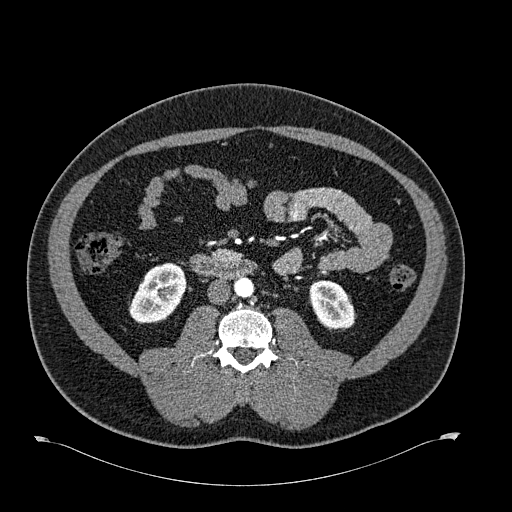
One axial slice (296 of 723, counting up from the lowest) of an arterial-phase abdominal CT acquired with 120 kVp, kernel B30f; each pixel is 0.895 mm and the slice is 1.00 mm thick.
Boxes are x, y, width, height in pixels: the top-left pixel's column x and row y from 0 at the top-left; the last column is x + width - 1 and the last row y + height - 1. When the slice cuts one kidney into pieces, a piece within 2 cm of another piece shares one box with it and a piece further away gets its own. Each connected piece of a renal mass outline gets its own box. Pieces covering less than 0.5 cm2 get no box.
Two boxes on this slice (two kidney boxes), listed by box centre from the image's left to its right. (1) Right kidney at x 128, y 262, width 59, height 62 (outlined area 2,508 px, about 20.1 cm2). (2) Left kidney, box x 309, y 280, width 47, height 51 (outlined area 1,757 px, about 14.1 cm2). No renal mass outline on this slice.